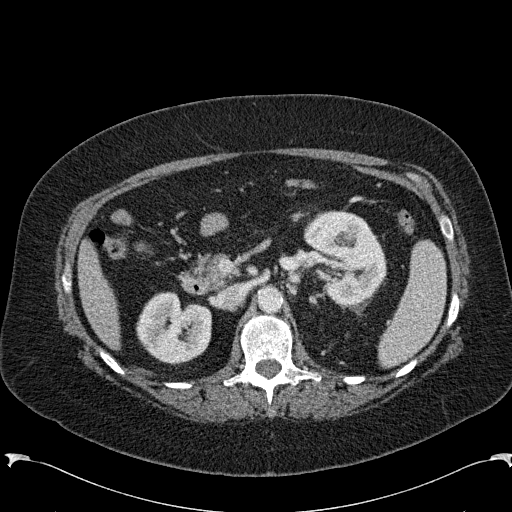
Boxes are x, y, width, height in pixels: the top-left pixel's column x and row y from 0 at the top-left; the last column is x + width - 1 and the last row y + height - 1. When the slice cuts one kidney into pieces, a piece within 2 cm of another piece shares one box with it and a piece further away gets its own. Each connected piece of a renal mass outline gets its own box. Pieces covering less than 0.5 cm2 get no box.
Arterial-phase contrast-enhanced abdominal CT, axial slice 150 of 285 (counted from the lowest slice); 2.00 mm thick, 0.762 mm per pixel. Two boxes on this slice (two kidney boxes), listed by box centre from the image's left to its right. (1) Right kidney, box x 136, y 291, width 76, height 75 (outlined area 4,159 px, about 24.1 cm2). (2) Left kidney at x 303, y 209, width 84, height 97 (outlined area 5,833 px, about 33.8 cm2). No renal mass is outlined on this slice.
Tube voltage 120 kVp; convolution kernel B31f.